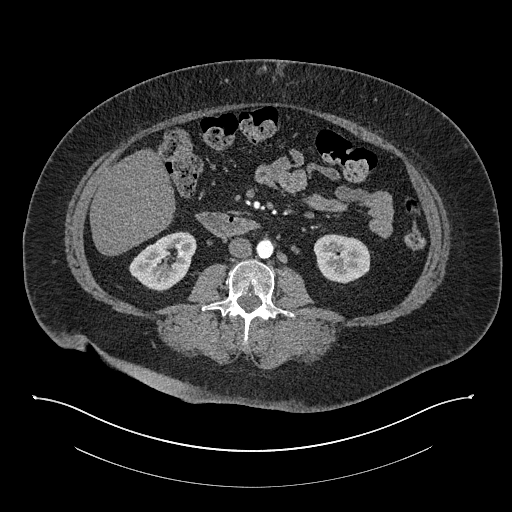
Arterial-phase contrast-enhanced abdominal CT, axial slice 391 of 673 (counted from the lowest slice); tube voltage 140 kVp, convolution kernel I30f; slices 1.00 mm thick, 0.957 mm per pixel.
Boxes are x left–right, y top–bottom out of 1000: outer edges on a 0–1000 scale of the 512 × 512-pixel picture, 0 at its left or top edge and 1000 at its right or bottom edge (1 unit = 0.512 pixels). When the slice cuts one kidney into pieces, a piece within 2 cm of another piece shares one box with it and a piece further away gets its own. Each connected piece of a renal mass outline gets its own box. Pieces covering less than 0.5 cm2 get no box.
Two kidney boxes on this slice; by box centre, from the image's left to its right: (1) Box x 252–385, y 451–570 out of 1000: right kidney (outlined area 2,713 px, about 24.8 cm2). (2) Box x 611–725, y 457–555 out of 1000: left kidney (outlined area 2,234 px, about 20.5 cm2). No renal mass outline on this slice.